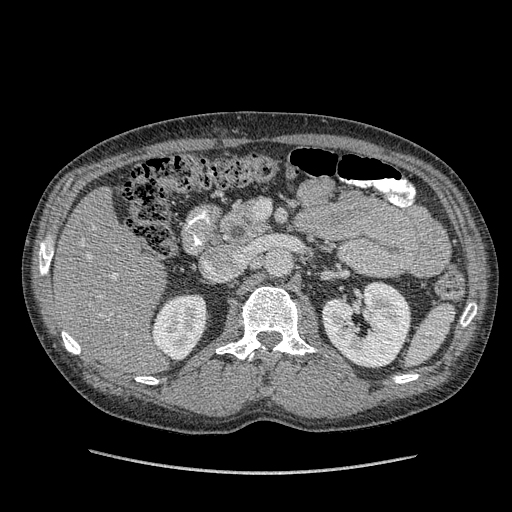
Abdominal CT with intravenous contrast, arterial phase, axial plane, 120 kVp, kernel STANDARD. Slice 229/349 from the bottom of the scan; thickness 1.25 mm; pixel size 0.742 mm.
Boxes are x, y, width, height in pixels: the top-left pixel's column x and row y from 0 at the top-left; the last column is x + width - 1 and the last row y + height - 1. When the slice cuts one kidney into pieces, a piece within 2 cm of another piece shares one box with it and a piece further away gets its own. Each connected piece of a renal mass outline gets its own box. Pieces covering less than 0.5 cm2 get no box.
Two boxes on this slice (two kidney boxes), listed by box centre from the image's left to its right. (1) Right kidney, box x 150, y 293, width 59, height 67 (outlined area 2,867 px, about 15.8 cm2). (2) Left kidney, box x 321, y 281, width 91, height 88 (outlined area 5,700 px, about 31.4 cm2). No renal mass is outlined on this slice.